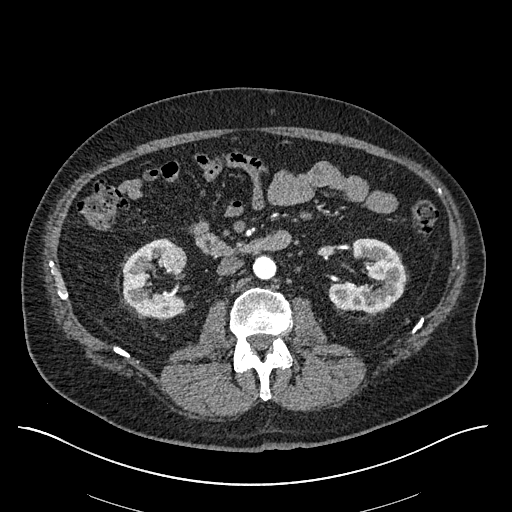
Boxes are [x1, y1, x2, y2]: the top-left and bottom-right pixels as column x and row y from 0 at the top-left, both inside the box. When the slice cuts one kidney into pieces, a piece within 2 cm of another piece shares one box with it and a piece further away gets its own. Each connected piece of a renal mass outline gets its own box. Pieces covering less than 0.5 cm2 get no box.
Arterial-phase contrast-enhanced abdominal CT, axial slice 307 of 670 (counted from the lowest slice); 1.00 mm thick, 0.861 mm per pixel. Boxed on this slice (two kidney boxes and one renal mass box), listed by box centre from the image's left to its right: (1) Box [122, 238, 186, 318]: right kidney (outlined area 3,189 px, about 23.7 cm2). (2) Right renal mass, box [160, 243, 187, 270] (outlined area 626 px, about 4.6 cm2). (3) Box [328, 238, 406, 312]: left kidney (outlined area 3,821 px, about 28.3 cm2).
Tube voltage 120 kVp; convolution kernel I30f.